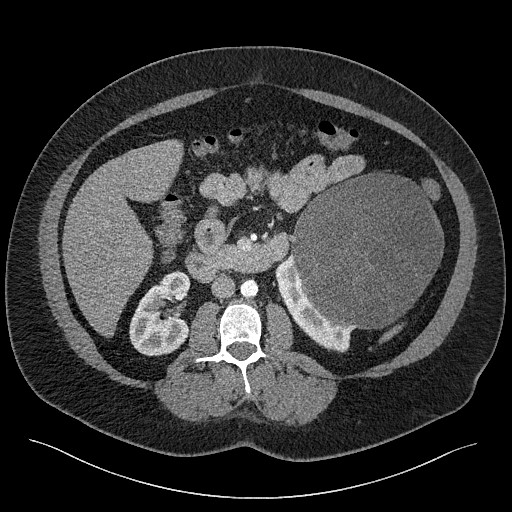
Abdominal CT with intravenous contrast, axial plane, 120 kVp, kernel I40f. Slice 119/301 from the bottom of the scan; thickness 2.00 mm; pixel size 0.859 mm.
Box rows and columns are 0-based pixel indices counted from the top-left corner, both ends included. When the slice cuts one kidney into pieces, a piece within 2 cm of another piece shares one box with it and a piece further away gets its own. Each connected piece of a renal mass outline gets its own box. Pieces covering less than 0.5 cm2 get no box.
Two kidney boxes and one renal mass box on this slice; by box centre, from the image's left to its right: (1) Right kidney, box rows 270–356, columns 129–191 (outlined area 3,769 px, about 27.8 cm2). (2) Left kidney, box rows 253–352, columns 275–355 (outlined area 2,550 px, about 18.8 cm2). (3) Left renal mass at rows 172–329, columns 290–443 (outlined area 18,406 px, about 135.9 cm2).